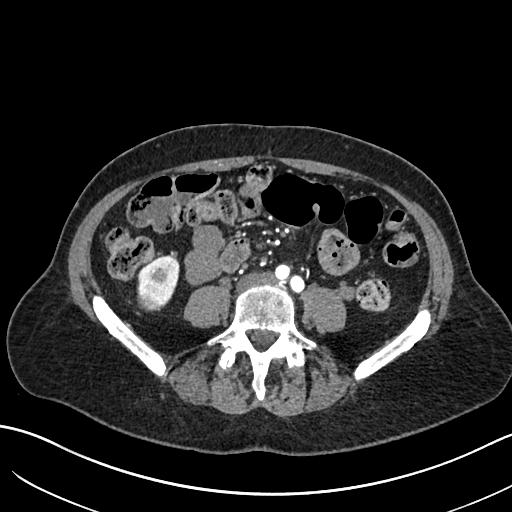
Abdominal CT with intravenous contrast, arterial phase, axial plane, 120 kVp, kernel I30f. Slice 255/683 from the bottom of the scan; thickness 1.00 mm; pixel size 0.738 mm.
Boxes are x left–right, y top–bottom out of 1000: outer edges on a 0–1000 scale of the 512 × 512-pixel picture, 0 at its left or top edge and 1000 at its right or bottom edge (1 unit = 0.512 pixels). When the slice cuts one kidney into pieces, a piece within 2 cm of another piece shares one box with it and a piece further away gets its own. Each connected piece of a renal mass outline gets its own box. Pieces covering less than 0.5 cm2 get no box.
Two boxes on this slice (one kidney box and one renal mass box), listed by box centre from the image's left to its right. (1) Right renal mass, box x 268–324, y 553–609 out of 1000 (outlined area 662 px, about 3.6 cm2). (2) Right kidney at x 268–352, y 498–596 out of 1000 (outlined area 1,202 px, about 6.6 cm2).